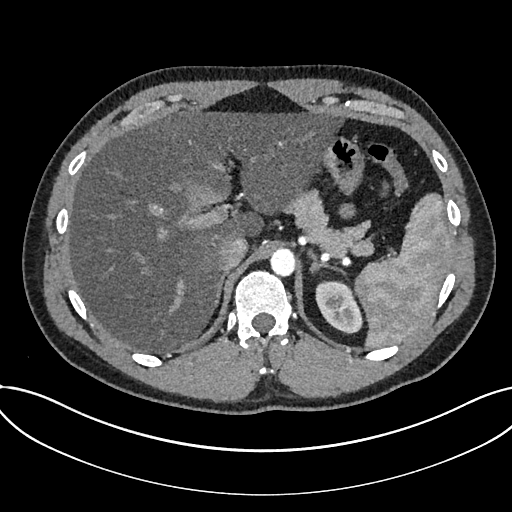
One axial slice (570 of 735, counting up from the lowest) of an arterial-phase abdominal CT acquired with 120 kVp, kernel I30f; each pixel is 0.789 mm and the slice is 1.00 mm thick.
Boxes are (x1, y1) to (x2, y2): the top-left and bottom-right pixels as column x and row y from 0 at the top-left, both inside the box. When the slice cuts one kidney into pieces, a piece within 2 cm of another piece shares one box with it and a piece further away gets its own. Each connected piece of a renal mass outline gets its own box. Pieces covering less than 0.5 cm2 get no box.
Kidney, box (315, 280) to (363, 334) (outlined area 1,843 px, about 11.5 cm2). This slice carries no renal mass outline.